Abdominal CT with intravenous contrast, arterial phase, axial plane, 120 kVp, kernel B20f. Slice 510/634 from the bottom of the scan; thickness 1.00 mm; pixel size 0.838 mm.
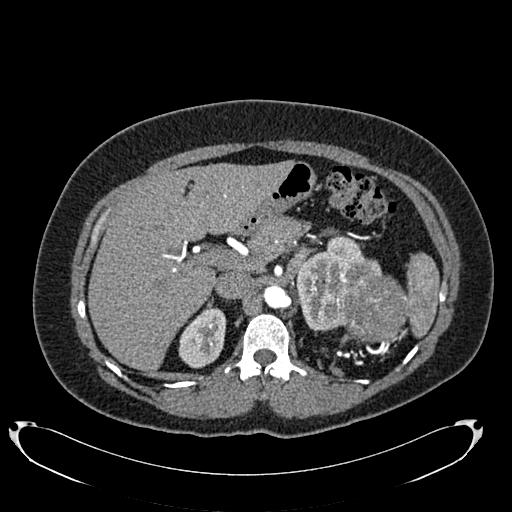
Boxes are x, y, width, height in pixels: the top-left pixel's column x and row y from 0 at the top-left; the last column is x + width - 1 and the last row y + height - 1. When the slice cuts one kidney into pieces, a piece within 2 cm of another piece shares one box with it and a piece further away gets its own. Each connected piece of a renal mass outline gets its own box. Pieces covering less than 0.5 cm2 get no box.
Three boxes on this slice (two kidney boxes and one renal mass box), listed by box centre from the image's left to its right. (1) Box x 178, y 305, width 49, height 64: right kidney (outlined area 2,172 px, about 15.2 cm2). (2) Left kidney, box x 296, y 235, width 87, height 96 (outlined area 4,549 px, about 31.9 cm2). (3) Left renal mass at x 340, y 274, width 70, height 68 (outlined area 3,742 px, about 26.3 cm2).